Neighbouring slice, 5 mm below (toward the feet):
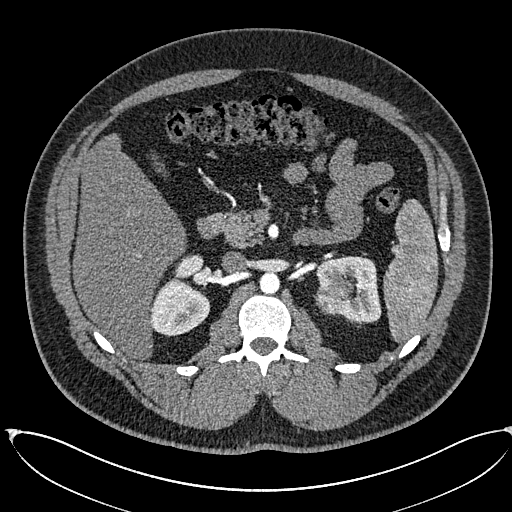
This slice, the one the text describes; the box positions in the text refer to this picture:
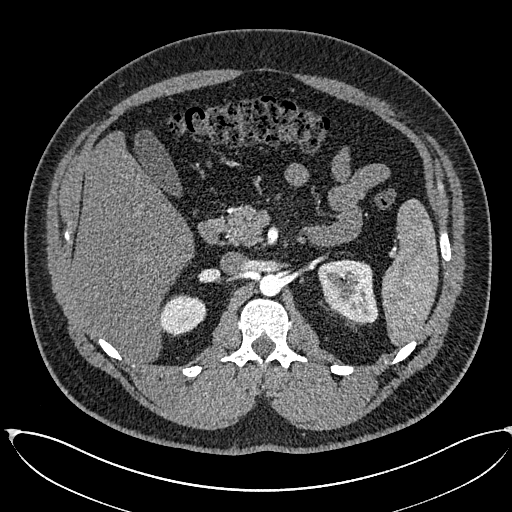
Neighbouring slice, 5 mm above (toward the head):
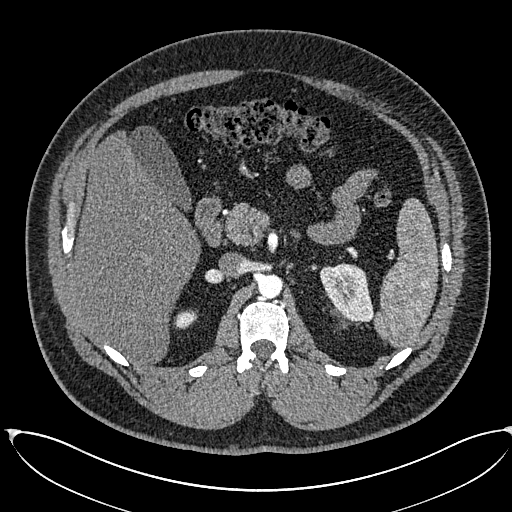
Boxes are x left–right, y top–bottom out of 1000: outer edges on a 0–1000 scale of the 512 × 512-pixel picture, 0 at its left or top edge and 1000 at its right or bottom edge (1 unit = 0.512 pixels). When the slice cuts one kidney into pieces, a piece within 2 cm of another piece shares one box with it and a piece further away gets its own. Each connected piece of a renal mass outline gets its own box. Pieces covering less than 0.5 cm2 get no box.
Arterial-phase contrast-enhanced abdominal CT, axial slice 397 of 673 (counted from the lowest slice); 1.00 mm thick, 0.855 mm per pixel. Boxed on this slice (two kidney boxes and one renal mass box), listed by box centre from the image's left to its right: (1) Box x 313–404, y 576–656 out of 1000: right kidney (outlined area 1,464 px, about 10.7 cm2). (2) Box x 633–668, y 576–609 out of 1000: left renal mass (outlined area 203 px, about 1.5 cm2). (3) Left kidney at x 621–740, y 506–633 out of 1000 (outlined area 2,773 px, about 20.3 cm2). This slice lies near the end of the left renal mass toward the head; the slices 5 mm below and 5 mm above it are shown too, and the boxes mark positions on this slice only.
Tube voltage 120 kVp; convolution kernel I30f.